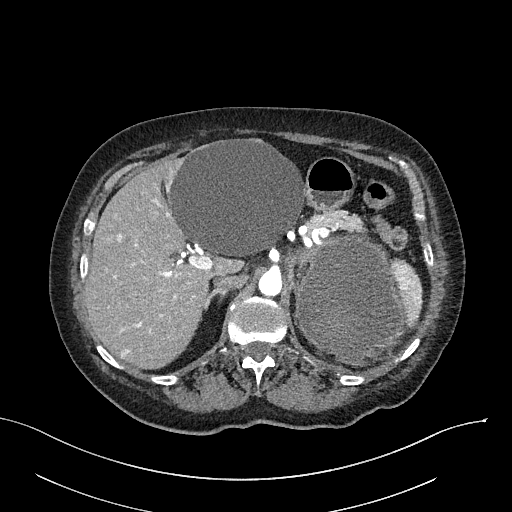
Abdominal CT with intravenous contrast, arterial phase, axial plane, 100 kVp, kernel I40f. Slice 188/316 from the bottom of the scan; thickness 2.00 mm; pixel size 0.840 mm.
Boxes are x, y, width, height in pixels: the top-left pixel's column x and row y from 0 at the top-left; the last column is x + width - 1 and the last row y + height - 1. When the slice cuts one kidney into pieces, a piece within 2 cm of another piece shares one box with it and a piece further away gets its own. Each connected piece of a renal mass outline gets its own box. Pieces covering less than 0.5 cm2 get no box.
Left renal mass at x 295, y 233, width 113, height 132 (outlined area 11,201 px, about 79.0 cm2); no kidney outline appears on this slice, but the same outlined renal mass comes within 1 cm of the kidney on another slice.